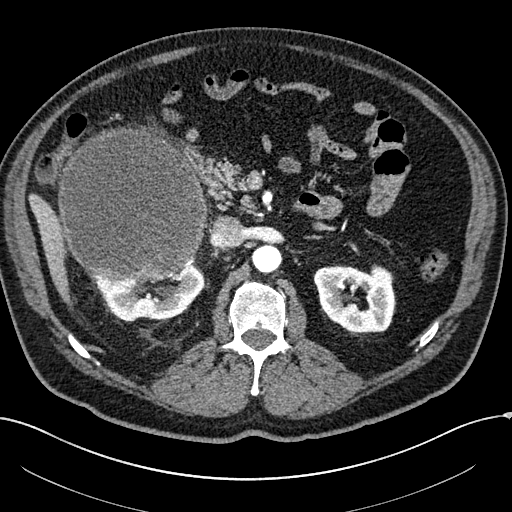
Arterial-phase contrast-enhanced abdominal CT, axial slice 133 of 304 (counted from the lowest slice); tube voltage 100 kVp, convolution kernel I30f; slices 2.00 mm thick, 0.809 mm per pixel.
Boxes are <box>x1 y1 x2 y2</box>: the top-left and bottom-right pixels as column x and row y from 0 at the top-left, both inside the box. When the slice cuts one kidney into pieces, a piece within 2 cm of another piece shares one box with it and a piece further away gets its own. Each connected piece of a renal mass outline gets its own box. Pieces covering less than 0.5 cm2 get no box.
Three boxes on this slice (two kidney boxes and one renal mass box), listed by box centre from the image's left to its right. (1) Right renal mass: <box>58 127 206 282</box> (outlined area 18,842 px, about 123.2 cm2). (2) Right kidney: <box>93 259 204 321</box> (outlined area 3,668 px, about 24.0 cm2). (3) Left kidney: <box>313 264 396 334</box> (outlined area 4,421 px, about 28.9 cm2).